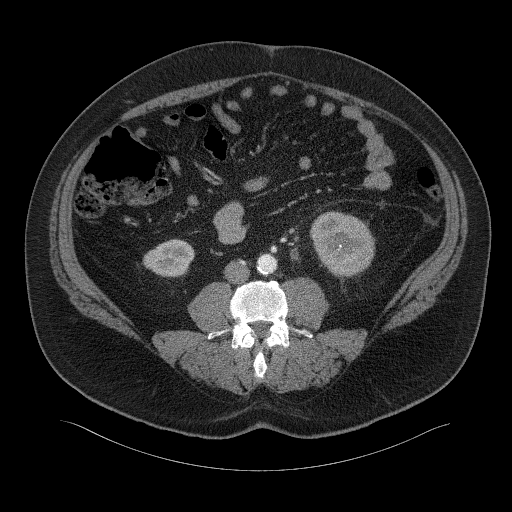
Abdominal CT with intravenous contrast, axial plane, 120 kVp, kernel B41f. Slice 8/94 from the bottom of the scan; thickness 3.00 mm; pixel size 0.977 mm.
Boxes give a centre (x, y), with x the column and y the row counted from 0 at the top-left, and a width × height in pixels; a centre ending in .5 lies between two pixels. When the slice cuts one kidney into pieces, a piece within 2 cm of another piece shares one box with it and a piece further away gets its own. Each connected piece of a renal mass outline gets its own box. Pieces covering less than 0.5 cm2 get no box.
Boxed on this slice (two kidney boxes), listed by box centre from the image's left to its right: (1) Box centre (168, 258), 53 × 39 pixels: right kidney (outlined area 1,489 px, about 14.2 cm2). (2) Left kidney, box centre (342, 245), 65 × 69 pixels (outlined area 3,301 px, about 31.5 cm2). This slice carries no renal mass outline.